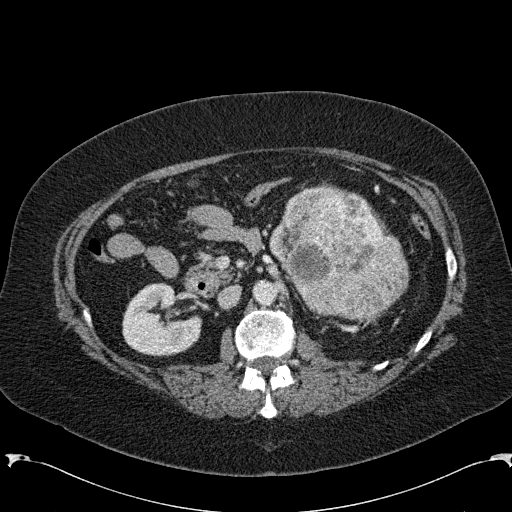
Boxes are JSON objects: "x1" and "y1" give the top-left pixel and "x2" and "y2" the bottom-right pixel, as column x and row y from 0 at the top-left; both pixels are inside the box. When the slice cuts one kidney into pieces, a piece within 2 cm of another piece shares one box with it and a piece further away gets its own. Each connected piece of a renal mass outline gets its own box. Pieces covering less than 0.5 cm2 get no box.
Slice 130/285 of a contrast-enhanced abdominal CT in the arterial phase, counting up from the lowest; pixel size 0.762 mm, slice thickness 2.00 mm. Two boxes on this slice (one kidney box and one renal mass box), listed by box centre from the image's left to its right. (1) Right kidney at {"x1": 122, "y1": 282, "x2": 201, "y2": 356} (outlined area 4,266 px, about 24.8 cm2). (2) Left renal mass at {"x1": 269, "y1": 182, "x2": 409, "y2": 319} (outlined area 13,609 px, about 79.0 cm2); here it is more than 1 cm from any kidney outline, though on another slice the same outlined renal mass lies within 1 cm of the kidney.
Scan settings: 120 kVp, B31f reconstruction kernel.